Arterial-phase contrast-enhanced abdominal CT, axial slice 202 of 1059 (counted from the lowest slice); tube voltage 100 kVp, convolution kernel I30f; slices 1.00 mm thick, 0.811 mm per pixel.
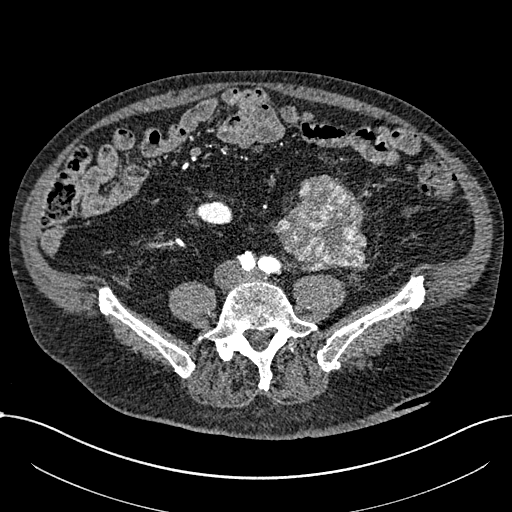
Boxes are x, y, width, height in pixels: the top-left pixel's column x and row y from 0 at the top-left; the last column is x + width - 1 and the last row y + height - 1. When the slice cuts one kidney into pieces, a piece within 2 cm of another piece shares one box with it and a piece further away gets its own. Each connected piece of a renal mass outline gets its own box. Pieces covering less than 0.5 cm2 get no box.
One kidney box and one renal mass box on this slice; by box centre, from the image's left to its right: (1) Right part of the midline-crossing kidney, box x 195, y 201, width 38, height 25 (outlined area 696 px, about 4.6 cm2). (2) Renal mass, box x 273, y 175, width 94, height 96 (outlined area 6,369 px, about 41.8 cm2); it sits over 1 cm from every kidney outline on this slice, but the same outlined renal mass comes within 1 cm of the kidney on another slice.